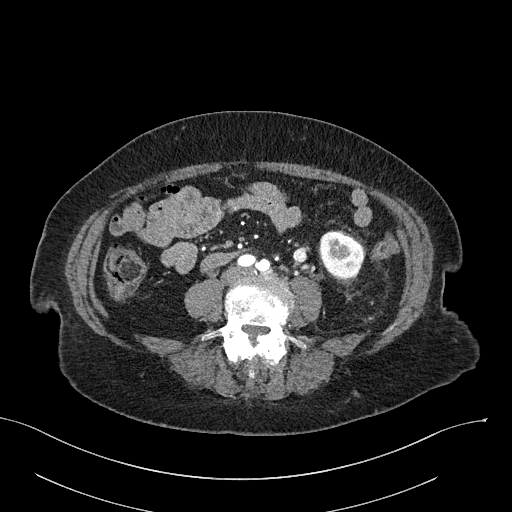
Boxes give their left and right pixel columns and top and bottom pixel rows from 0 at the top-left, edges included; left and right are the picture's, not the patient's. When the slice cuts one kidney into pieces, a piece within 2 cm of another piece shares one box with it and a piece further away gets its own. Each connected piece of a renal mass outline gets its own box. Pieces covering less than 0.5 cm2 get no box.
This is axial slice 76 of 316 (slice 1 is the lowest) of an arterial-phase abdominal CT with contrast; each pixel is 0.840 mm and the slice is 2.00 mm thick. Box with left 319, top 231, right 363, bottom 278: left kidney (outlined area 1,631 px, about 11.5 cm2). This slice carries no renal mass outline.
Tube voltage 100 kVp; convolution kernel I40f.